Abdominal CT with intravenous contrast, axial plane, 100 kVp, kernel I30f. Slice 93/178 from the bottom of the scan; thickness 5.00 mm; pixel size 0.650 mm.
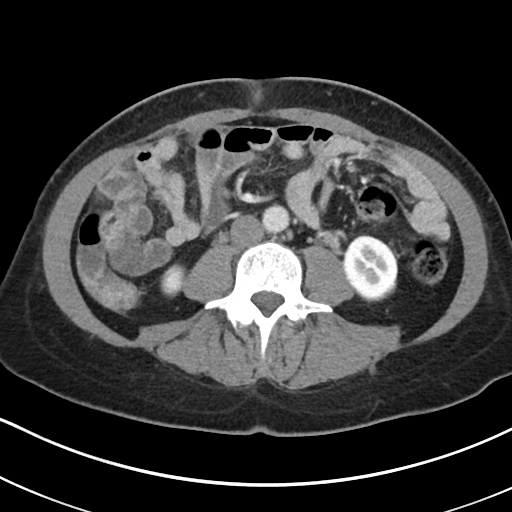
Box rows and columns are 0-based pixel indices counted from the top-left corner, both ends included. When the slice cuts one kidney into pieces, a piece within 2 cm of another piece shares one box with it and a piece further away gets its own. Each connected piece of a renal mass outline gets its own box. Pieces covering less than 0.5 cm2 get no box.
Two kidney boxes on this slice; by box centre, from the image's left to its right: (1) Right kidney at rows 264–297, columns 160–186 (outlined area 677 px, about 2.9 cm2). (2) Left kidney, box rows 234–301, columns 343–397 (outlined area 2,912 px, about 12.3 cm2). No renal mass is outlined on this slice.